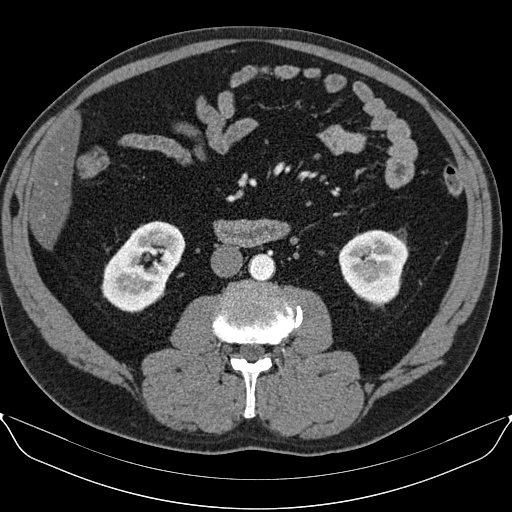
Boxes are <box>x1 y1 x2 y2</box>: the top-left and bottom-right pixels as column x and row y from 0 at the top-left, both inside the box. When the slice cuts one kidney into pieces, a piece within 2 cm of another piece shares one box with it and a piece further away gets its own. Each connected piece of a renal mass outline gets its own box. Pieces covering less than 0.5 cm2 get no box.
This is axial slice 37 of 96 (slice 1 is the lowest) of an arterial-phase abdominal CT with contrast; each pixel is 0.781 mm and the slice is 3.00 mm thick. Two boxes on this slice (two kidney boxes), listed by box centre from the image's left to its right. (1) Right kidney at <box>101 221 185 312</box> (outlined area 5,098 px, about 31.1 cm2). (2) Left kidney at <box>338 229 408 308</box> (outlined area 4,024 px, about 24.6 cm2). This slice carries no renal mass outline.
Acquired at 130 kVp and reconstructed with the B30s kernel.